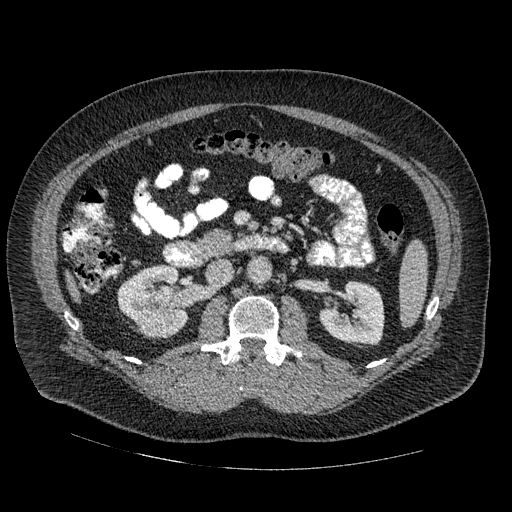
Arterial-phase contrast-enhanced abdominal CT, axial slice 272 of 445 (counted from the lowest slice); tube voltage 120 kVp, convolution kernel STANDARD; slices 1.25 mm thick, 0.863 mm per pixel.
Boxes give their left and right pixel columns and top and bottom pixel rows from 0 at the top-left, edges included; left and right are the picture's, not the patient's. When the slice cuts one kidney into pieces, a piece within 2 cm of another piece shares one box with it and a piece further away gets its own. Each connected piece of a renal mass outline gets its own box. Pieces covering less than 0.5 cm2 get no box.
Three boxes on this slice (two kidney boxes and one renal mass box), listed by box centre from the image's left to its right. (1) Right kidney in the box with left 117, top 264, right 188, bottom 337 (outlined area 3,233 px, about 24.1 cm2). (2) Right renal mass in the box with left 142, top 309, right 174, bottom 336 (outlined area 665 px, about 5.0 cm2). (3) Left kidney, the box with left 320, top 281, right 384, bottom 344 (outlined area 3,031 px, about 22.6 cm2).